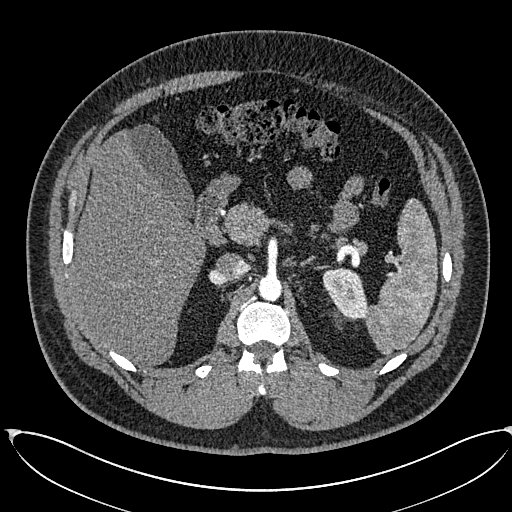
One axial slice (417 of 673, counting up from the lowest) of an arterial-phase abdominal CT acquired with 120 kVp, kernel I30f; each pixel is 0.855 mm and the slice is 1.00 mm thick.
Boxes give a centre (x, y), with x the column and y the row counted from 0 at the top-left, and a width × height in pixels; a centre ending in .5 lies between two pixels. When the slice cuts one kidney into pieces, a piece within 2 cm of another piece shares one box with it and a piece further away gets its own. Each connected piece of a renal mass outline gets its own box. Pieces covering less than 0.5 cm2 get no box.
Left kidney, box centre (345, 293), 47 × 53 pixels (outlined area 1,710 px, about 12.5 cm2). This slice carries no renal mass outline.